Contrast-enhanced abdominal CT, axial slice 29 of 94 (counted from the lowest slice); tube voltage 120 kVp, convolution kernel B41f; slices 3.00 mm thick, 0.977 mm per pixel.
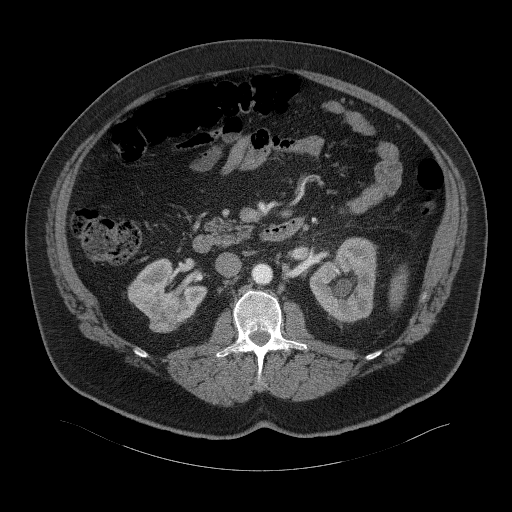
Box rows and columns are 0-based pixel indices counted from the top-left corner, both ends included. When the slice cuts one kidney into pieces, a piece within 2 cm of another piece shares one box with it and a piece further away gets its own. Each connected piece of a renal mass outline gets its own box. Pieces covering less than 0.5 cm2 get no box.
Three boxes on this slice (two kidney boxes and one renal mass box), listed by box centre from the image's left to its right. (1) Right renal mass at rows 304–332, columns 149–179 (outlined area 700 px, about 6.7 cm2). (2) Right kidney, box rows 258–324, columns 127–207 (outlined area 3,006 px, about 28.7 cm2). (3) Left kidney, box rows 237–322, columns 309–376 (outlined area 4,249 px, about 40.5 cm2).